Abdominal CT with intravenous contrast, arterial phase, axial plane, 100 kVp, kernel B41f. Slice 44/77 from the bottom of the scan; thickness 3.00 mm; pixel size 0.809 mm.
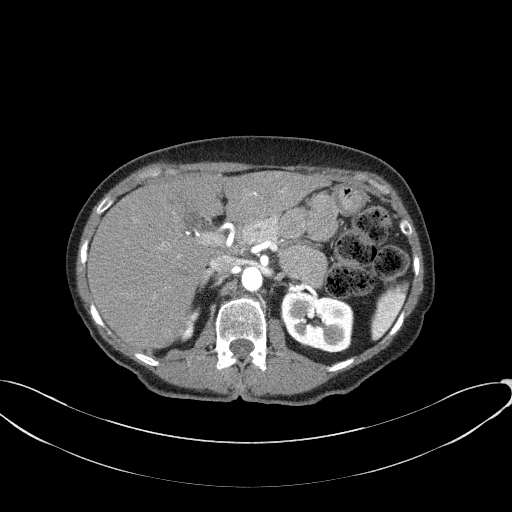
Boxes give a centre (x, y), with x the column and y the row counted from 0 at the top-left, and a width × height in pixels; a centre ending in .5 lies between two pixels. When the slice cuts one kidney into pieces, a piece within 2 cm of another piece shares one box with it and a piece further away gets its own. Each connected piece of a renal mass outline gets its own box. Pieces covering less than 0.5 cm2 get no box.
Two kidney boxes on this slice; by box centre, from the image's left to its right: (1) Right kidney, box centre (190, 324), 21 × 35 pixels (outlined area 336 px, about 2.2 cm2). (2) Box centre (316.5, 321.5), 74 × 62 pixels: left kidney (outlined area 3,565 px, about 23.3 cm2). No renal mass outline on this slice.